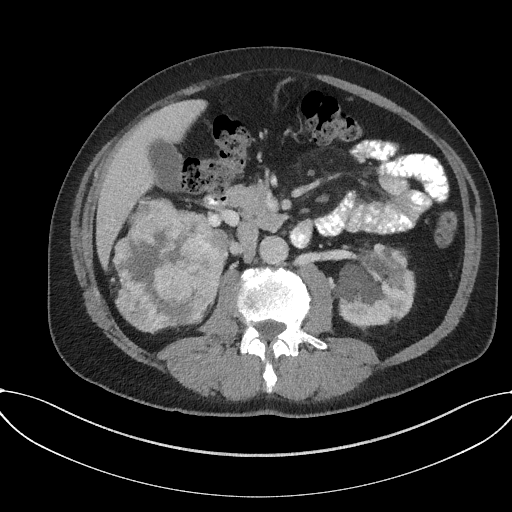
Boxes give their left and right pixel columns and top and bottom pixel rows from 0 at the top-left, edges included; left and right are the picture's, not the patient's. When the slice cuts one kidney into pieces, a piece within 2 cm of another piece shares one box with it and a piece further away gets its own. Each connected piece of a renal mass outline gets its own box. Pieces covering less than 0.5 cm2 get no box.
This is axial slice 92 of 227 (slice 1 is the lowest) of an arterial-phase abdominal CT with contrast; each pixel is 0.816 mm and the slice is 3.00 mm thick. Two boxes on this slice (one kidney box and one renal mass box), listed by box centre from the image's left to its right. (1) Right renal mass, the box with left 112, top 198, right 228, bottom 332 (outlined area 11,721 px, about 78.1 cm2); it sits over 1 cm from every kidney outline on this slice, but the same outlined renal mass comes within 1 cm of the kidney on another slice. (2) Left kidney in the box with left 333, top 243, right 415, bottom 327 (outlined area 5,087 px, about 33.9 cm2).
Scan settings: 120 kVp, I31f reconstruction kernel.